One axial slice (258 of 532, counting up from the lowest) of an arterial-phase abdominal CT acquired with 120 kVp, kernel B30f; each pixel is 0.713 mm and the slice is 1.00 mm thick.
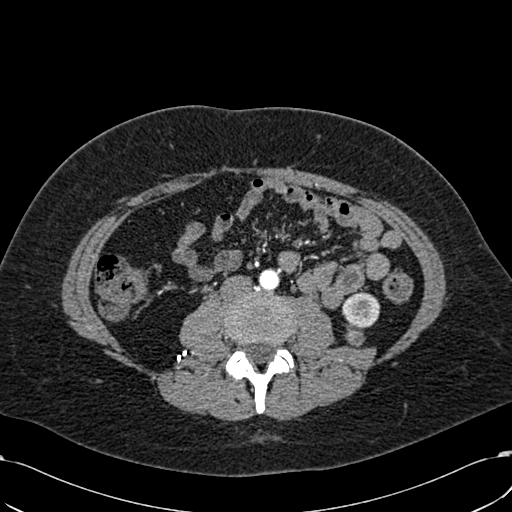
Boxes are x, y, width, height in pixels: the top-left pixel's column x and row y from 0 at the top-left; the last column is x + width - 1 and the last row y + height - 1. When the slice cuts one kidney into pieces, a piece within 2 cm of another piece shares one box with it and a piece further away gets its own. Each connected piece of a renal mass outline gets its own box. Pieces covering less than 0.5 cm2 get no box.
One kidney box and one renal mass box on this slice; by box centre, from the image's left to its right: (1) Left renal mass at x 345, y 324, width 21, height 23 (outlined area 332 px, about 1.7 cm2). (2) Box x 342, y 291, width 39, height 39: left kidney (outlined area 1,098 px, about 5.6 cm2).